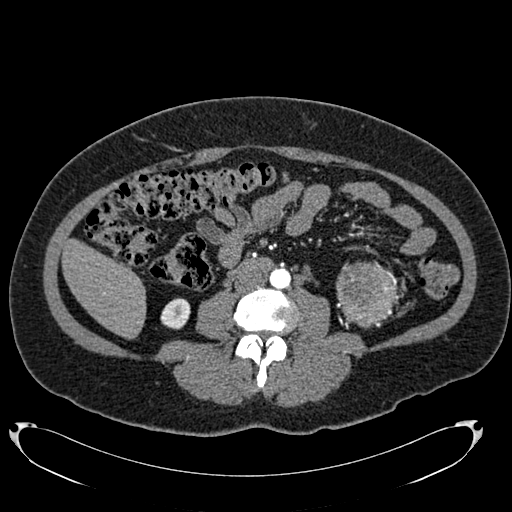
Axial slice 325 of 634 of a contrast-enhanced abdominal CT in the arterial phase (slice 1 is the lowest), 120 kVp, kernel B20f; 1.00 mm slice thickness and 0.838 mm pixels.
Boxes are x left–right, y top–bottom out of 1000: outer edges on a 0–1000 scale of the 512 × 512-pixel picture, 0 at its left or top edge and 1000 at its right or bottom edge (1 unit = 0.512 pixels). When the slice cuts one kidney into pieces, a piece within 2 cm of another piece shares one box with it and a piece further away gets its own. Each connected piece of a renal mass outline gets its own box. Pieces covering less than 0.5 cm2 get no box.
One kidney box and one renal mass box on this slice; by box centre, from the image's left to its right: (1) Box x 313–373, y 582–645 out of 1000: right kidney (outlined area 735 px, about 5.2 cm2). (2) Box x 656–785, y 510–643 out of 1000: left renal mass (outlined area 3,324 px, about 23.3 cm2); here it is more than 1 cm from any kidney outline, though on another slice the same outlined renal mass lies within 1 cm of the kidney.